Arterial-phase contrast-enhanced abdominal CT, axial slice 225 of 285 (counted from the lowest slice); tube voltage 120 kVp, convolution kernel B31f; slices 2.00 mm thick, 0.762 mm per pixel.
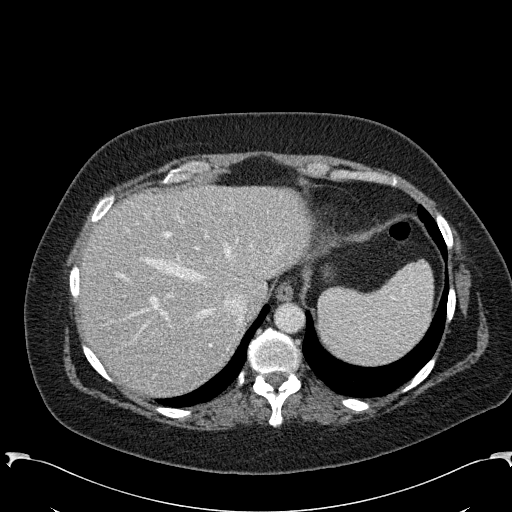
Neither a kidney nor a renal mass is outlined here. Only kidneys and renal masses are outlined anywhere in this scan; other structures are never outlined.